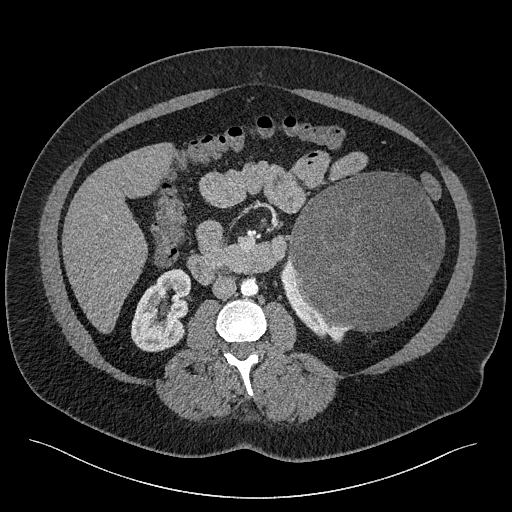
Axial slice 113 of 301 of a contrast-enhanced abdominal CT (slice 1 is the lowest), 120 kVp, kernel I40f; 2.00 mm slice thickness and 0.859 mm pixels.
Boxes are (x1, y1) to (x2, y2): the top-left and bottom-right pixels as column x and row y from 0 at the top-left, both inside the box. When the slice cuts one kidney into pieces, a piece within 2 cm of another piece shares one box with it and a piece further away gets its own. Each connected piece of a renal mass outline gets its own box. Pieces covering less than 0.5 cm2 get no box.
Boxed on this slice (two kidney boxes and one renal mass box), listed by box centre from the image's left to its right: (1) Box (131, 268) to (191, 351): right kidney (outlined area 3,595 px, about 26.5 cm2). (2) Left kidney, box (280, 258) to (348, 343) (outlined area 1,405 px, about 10.4 cm2). (3) Box (286, 172) to (445, 332): left renal mass (outlined area 19,378 px, about 143.1 cm2).